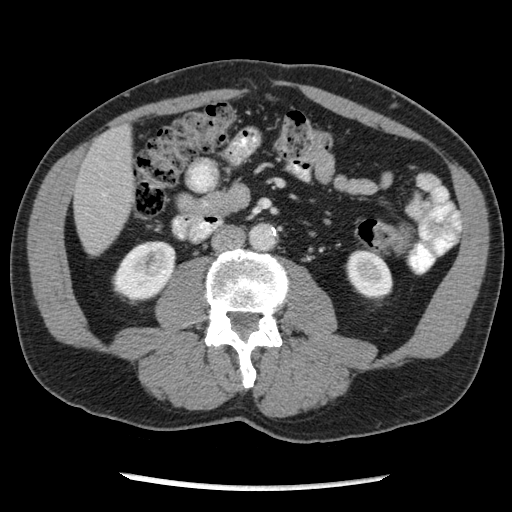
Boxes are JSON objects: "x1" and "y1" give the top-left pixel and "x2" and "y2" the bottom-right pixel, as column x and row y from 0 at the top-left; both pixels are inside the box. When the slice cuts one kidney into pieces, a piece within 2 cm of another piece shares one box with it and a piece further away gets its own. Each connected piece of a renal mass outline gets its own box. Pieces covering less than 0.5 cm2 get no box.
This is axial slice 104 of 262 (slice 1 is the lowest) of an arterial-phase abdominal CT with contrast; each pixel is 0.703 mm and the slice is 2.50 mm thick. Two kidney boxes on this slice; by box centre, from the image's left to its right: (1) Right kidney at {"x1": 111, "y1": 240, "x2": 176, "y2": 304} (outlined area 2,983 px, about 14.7 cm2). (2) Box {"x1": 345, "y1": 249, "x2": 393, "y2": 299}: left kidney (outlined area 1,809 px, about 8.9 cm2). No renal mass outline on this slice.
Acquired at 120 kVp and reconstructed with the STANDARD kernel.